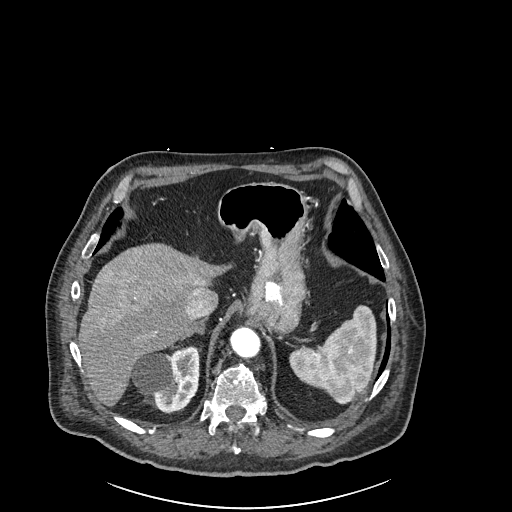
One axial slice (192 of 261, counting up from the lowest) of an arterial-phase abdominal CT acquired with 120 kVp, kernel I30f; each pixel is 0.939 mm and the slice is 2.00 mm thick.
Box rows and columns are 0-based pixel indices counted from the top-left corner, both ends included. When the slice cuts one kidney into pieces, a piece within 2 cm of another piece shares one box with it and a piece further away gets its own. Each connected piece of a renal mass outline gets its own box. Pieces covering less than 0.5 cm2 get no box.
Right kidney, box rows 345–413, columns 130–199 (outlined area 3,333 px, about 29.4 cm2). This slice carries no renal mass outline.